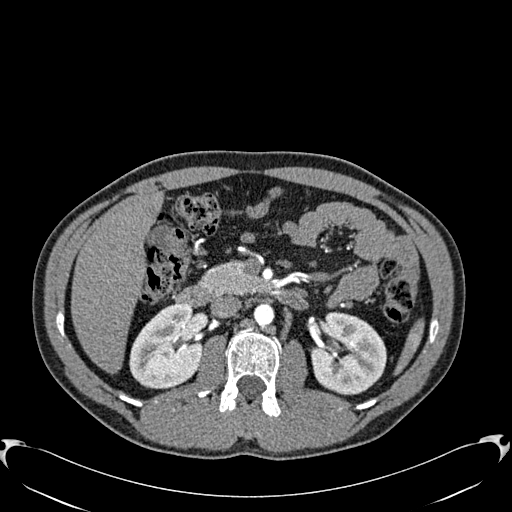
Abdominal CT with intravenous contrast, arterial phase, axial plane, 120 kVp, kernel B30f. Slice 361/512 from the bottom of the scan; thickness 1.00 mm; pixel size 0.771 mm.
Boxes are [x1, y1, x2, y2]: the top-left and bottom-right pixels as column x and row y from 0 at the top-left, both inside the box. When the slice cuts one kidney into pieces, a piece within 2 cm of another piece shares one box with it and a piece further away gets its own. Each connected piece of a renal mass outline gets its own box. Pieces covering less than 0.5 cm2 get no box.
Two boxes on this slice (two kidney boxes), listed by box centre from the image's left to its right. (1) Box [129, 304, 202, 388]: right kidney (outlined area 4,695 px, about 27.9 cm2). (2) Left kidney at [310, 312, 386, 395] (outlined area 4,814 px, about 28.7 cm2). No renal mass outline on this slice.